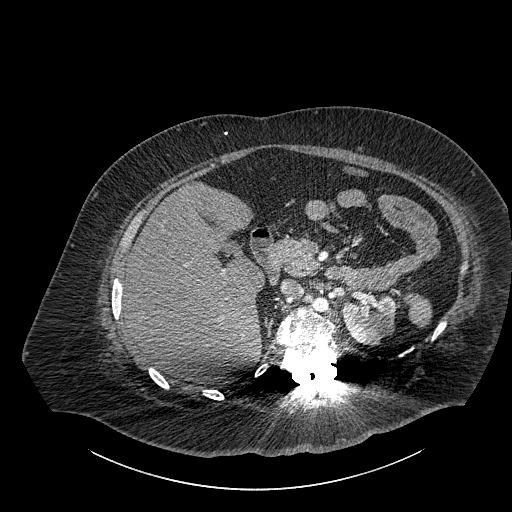
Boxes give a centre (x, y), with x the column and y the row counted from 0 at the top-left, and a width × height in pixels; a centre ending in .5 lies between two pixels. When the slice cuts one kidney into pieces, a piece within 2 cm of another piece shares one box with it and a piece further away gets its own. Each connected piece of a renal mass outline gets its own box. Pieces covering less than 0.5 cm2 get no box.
This is axial slice 596 of 834 (slice 1 is the lowest) of an abdominal CT with contrast; each pixel is 0.977 mm and the slice is 1.00 mm thick. Left part of the midline-crossing kidney, box centre (369, 319), 53 × 51 pixels (outlined area 2,120 px, about 20.2 cm2). No renal mass outline on this slice.
Tube voltage 140 kVp; convolution kernel I30f.